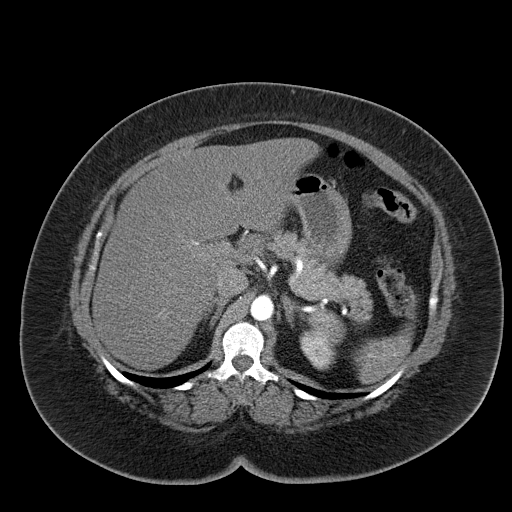
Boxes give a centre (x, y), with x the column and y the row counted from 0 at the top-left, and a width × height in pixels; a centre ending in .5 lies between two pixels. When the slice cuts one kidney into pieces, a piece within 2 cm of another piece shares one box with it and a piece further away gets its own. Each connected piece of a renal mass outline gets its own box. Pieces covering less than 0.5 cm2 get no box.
Slice 43/55 of a contrast-enhanced abdominal CT, counting up from the lowest; pixel size 0.908 mm, slice thickness 5.00 mm. Left kidney in a box with centre (317.5, 349.5), 38 × 42 pixels (outlined area 1,041 px, about 8.6 cm2). This slice carries no renal mass outline.
Acquired at 120 kVp and reconstructed with the B30f kernel.